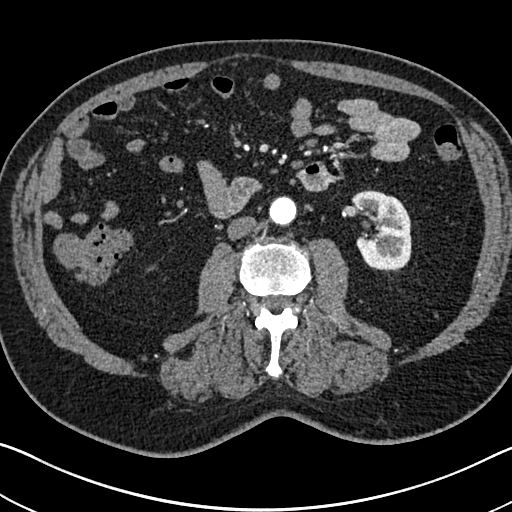
One axial slice (343 of 705, counting up from the lowest) of an arterial-phase abdominal CT acquired with 120 kVp, kernel I30f; each pixel is 0.703 mm and the slice is 1.00 mm thick.
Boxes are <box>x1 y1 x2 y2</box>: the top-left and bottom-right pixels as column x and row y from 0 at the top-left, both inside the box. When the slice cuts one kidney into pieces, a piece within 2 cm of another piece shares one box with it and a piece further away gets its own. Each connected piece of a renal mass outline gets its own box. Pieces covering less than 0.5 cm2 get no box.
Left kidney: <box>351 190 411 271</box> (outlined area 3,755 px, about 18.6 cm2). This slice carries no renal mass outline.